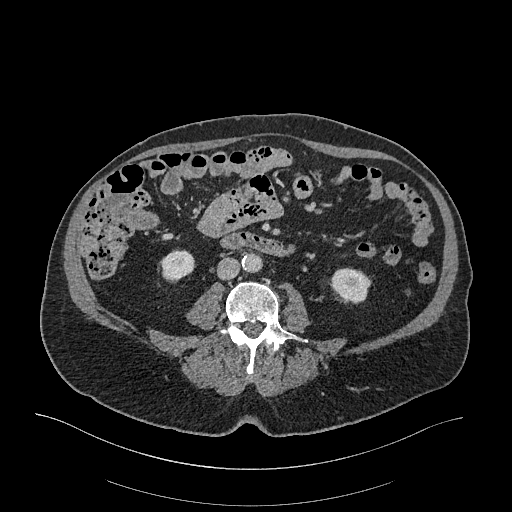
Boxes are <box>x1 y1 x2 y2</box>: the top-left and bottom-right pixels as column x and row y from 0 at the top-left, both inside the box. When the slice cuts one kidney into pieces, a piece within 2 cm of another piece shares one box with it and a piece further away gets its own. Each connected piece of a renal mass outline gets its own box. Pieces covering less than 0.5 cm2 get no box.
This is axial slice 76 of 470 (slice 1 is the lowest) of an arterial-phase abdominal CT with contrast; each pixel is 0.938 mm and the slice is 1.00 mm thick. Two boxes on this slice (two kidney boxes), listed by box centre from the image's left to its right. (1) Right kidney at <box>160 248 194 283</box> (outlined area 881 px, about 7.7 cm2). (2) At <box>330 267 370 302</box>: left kidney (outlined area 1,069 px, about 9.4 cm2). No renal mass outline on this slice.
Tube voltage 120 kVp; convolution kernel I26f.